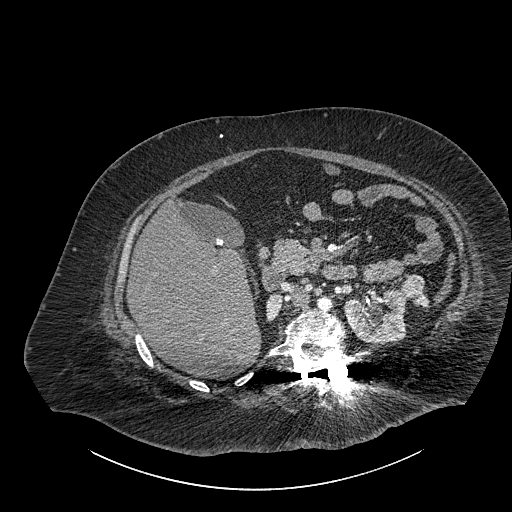
One axial slice (569 of 834, counting up from the lowest) of a contrast-enhanced abdominal CT acquired with 140 kVp, kernel I30f; each pixel is 0.977 mm and the slice is 1.00 mm thick.
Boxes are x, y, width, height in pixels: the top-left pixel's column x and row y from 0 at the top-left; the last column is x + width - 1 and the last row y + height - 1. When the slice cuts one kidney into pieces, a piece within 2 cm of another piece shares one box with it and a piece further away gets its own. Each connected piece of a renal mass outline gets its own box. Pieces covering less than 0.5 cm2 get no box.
Two kidney boxes and one renal mass box on this slice; by box centre, from the image's left to its right: (1) Right part of the midline-crossing kidney at x 266, y 293, width 17, height 28 (outlined area 343 px, about 3.3 cm2). (2) Box x 343, y 289, width 64, height 55: left part of the midline-crossing kidney (outlined area 2,684 px, about 25.6 cm2). (3) Box x 399, y 274, width 30, height 34: renal mass (outlined area 667 px, about 6.4 cm2).